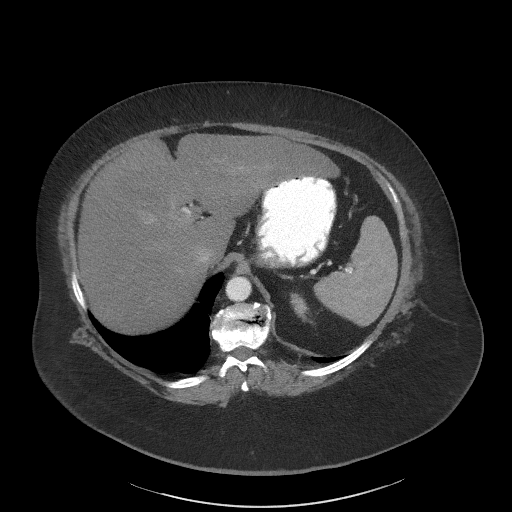
Axial slice 57 of 61 of a contrast-enhanced abdominal CT in the arterial phase (slice 1 is the lowest), 140 kVp, kernel I41f; 3.00 mm slice thickness and 0.947 mm pixels.
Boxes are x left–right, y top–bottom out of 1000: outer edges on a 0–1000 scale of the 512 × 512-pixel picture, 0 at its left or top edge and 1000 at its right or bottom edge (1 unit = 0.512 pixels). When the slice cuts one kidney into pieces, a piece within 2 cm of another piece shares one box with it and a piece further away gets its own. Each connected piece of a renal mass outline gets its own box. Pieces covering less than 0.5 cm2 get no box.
Left kidney at x 566–604, y 572–629 out of 1000 (outlined area 353 px, about 3.2 cm2). No renal mass outline on this slice.